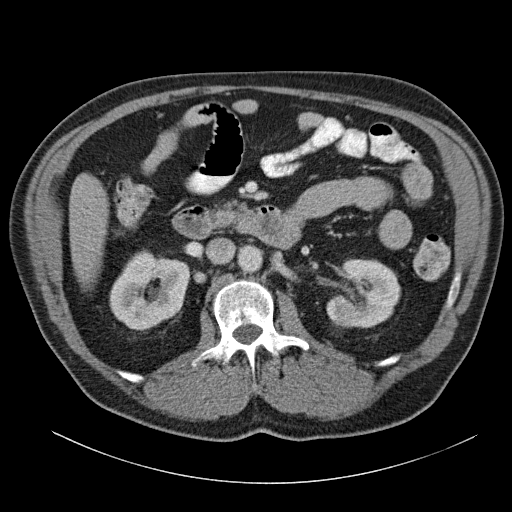
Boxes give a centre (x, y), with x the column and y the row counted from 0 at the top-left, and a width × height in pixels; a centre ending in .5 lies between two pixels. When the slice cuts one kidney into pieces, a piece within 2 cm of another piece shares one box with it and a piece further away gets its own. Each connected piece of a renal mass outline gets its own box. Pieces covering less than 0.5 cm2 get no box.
This is axial slice 71 of 140 (slice 1 is the lowest) of an arterial-phase abdominal CT with contrast; each pixel is 0.754 mm and the slice is 5.00 mm thick. Two kidney boxes on this slice; by box centre, from the image's left to its right: (1) Right kidney, box centre (149.5, 289.5), 82 × 80 pixels (outlined area 4,616 px, about 26.2 cm2). (2) Box centre (363, 293), 75 × 71 pixels: left kidney (outlined area 4,022 px, about 22.9 cm2). This slice carries no renal mass outline.
Tube voltage 120 kVp; convolution kernel B31f.